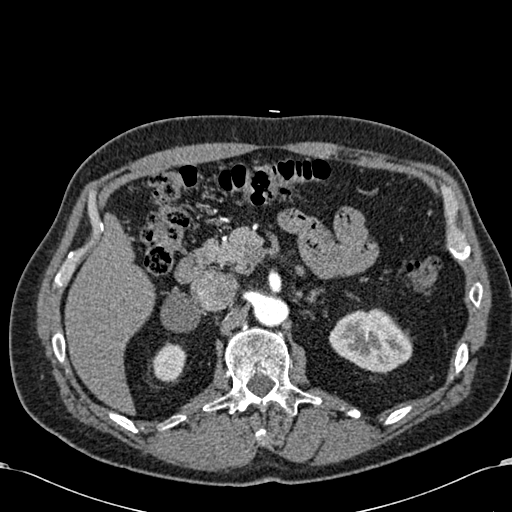
Arterial-phase contrast-enhanced abdominal CT, axial slice 412 of 581 (counted from the lowest slice); tube voltage 120 kVp, convolution kernel B30f; slices 1.00 mm thick, 0.713 mm per pixel.
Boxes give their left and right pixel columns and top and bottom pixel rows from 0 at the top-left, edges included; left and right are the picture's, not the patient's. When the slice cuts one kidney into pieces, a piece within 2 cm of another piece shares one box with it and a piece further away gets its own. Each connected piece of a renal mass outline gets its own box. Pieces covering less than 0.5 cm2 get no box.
Two kidney boxes on this slice; by box centre, from the image's left to its right: (1) Right kidney in the box with left 151, top 342, right 186, bottom 382 (outlined area 1,043 px, about 5.3 cm2). (2) Box with left 328, top 308, right 412, bottom 372: left kidney (outlined area 3,909 px, about 19.9 cm2). This slice carries no renal mass outline.